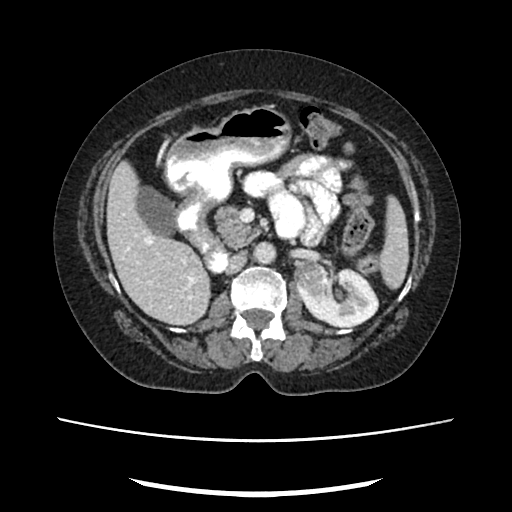
Abdominal CT with intravenous contrast, arterial phase, axial plane, 120 kVp, kernel FC18. Slice 141/207 from the bottom of the scan; thickness 2.00 mm; pixel size 0.741 mm.
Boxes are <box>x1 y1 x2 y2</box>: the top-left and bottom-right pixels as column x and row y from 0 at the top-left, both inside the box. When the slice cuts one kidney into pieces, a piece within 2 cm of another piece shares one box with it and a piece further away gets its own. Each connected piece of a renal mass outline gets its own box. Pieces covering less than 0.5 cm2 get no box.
One kidney box and one renal mass box on this slice; by box centre, from the image's left to its right: (1) Left renal mass: <box>293 259 322 293</box> (outlined area 765 px, about 4.2 cm2). (2) Left kidney: <box>294 261 378 327</box> (outlined area 3,450 px, about 18.9 cm2).